Arterial-phase contrast-enhanced abdominal CT, axial slice 436 of 553 (counted from the lowest slice); tube voltage 120 kVp, convolution kernel B20f; slices 1.00 mm thick, 0.773 mm per pixel.
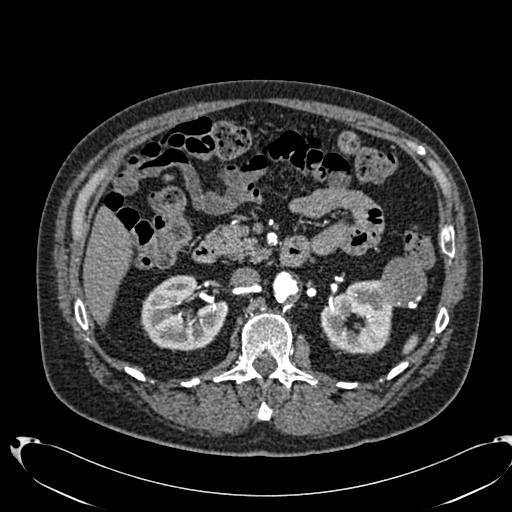
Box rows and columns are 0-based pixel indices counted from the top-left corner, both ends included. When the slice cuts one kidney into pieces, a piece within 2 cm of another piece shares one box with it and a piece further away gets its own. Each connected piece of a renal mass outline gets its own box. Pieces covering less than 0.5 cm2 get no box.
Two kidney boxes and one renal mass box on this slice; by box centre, from the image's left to its right: (1) Right kidney at rows 275–351, columns 141–228 (outlined area 4,804 px, about 28.7 cm2). (2) Box rows 280–354, columns 320–393: left kidney (outlined area 3,819 px, about 22.8 cm2). (3) Box rows 257–308, columns 378–426: left renal mass (outlined area 1,932 px, about 11.6 cm2).